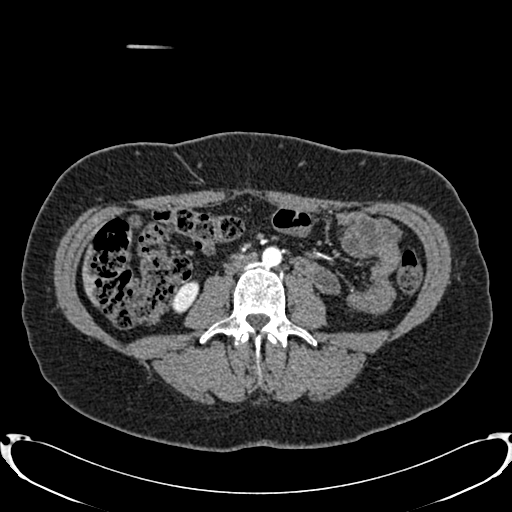
Abdominal CT with intravenous contrast, arterial phase, axial plane, 120 kVp, kernel B20f. Slice 370/719 from the bottom of the scan; thickness 1.00 mm; pixel size 0.766 mm.
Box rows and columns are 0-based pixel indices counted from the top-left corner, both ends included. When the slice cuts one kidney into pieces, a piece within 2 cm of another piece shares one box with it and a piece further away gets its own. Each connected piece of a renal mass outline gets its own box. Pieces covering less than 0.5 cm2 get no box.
Box rows 281–313, columns 172–199: right kidney (outlined area 594 px, about 3.5 cm2). No renal mass is outlined on this slice.